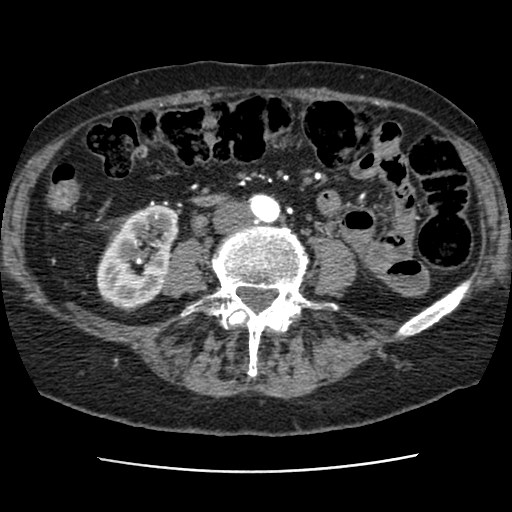
Abdominal CT with intravenous contrast, axial plane, 120 kVp, kernel STANDARD. Slice 22/76 from the bottom of the scan; thickness 2.50 mm; pixel size 0.586 mm.
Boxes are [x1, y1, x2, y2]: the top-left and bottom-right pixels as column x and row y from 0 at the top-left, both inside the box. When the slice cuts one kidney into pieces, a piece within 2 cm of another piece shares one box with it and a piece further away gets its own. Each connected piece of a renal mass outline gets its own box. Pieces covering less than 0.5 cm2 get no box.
Box [96, 205, 178, 312]: right kidney (outlined area 5,949 px, about 20.4 cm2). No renal mass outline on this slice.